Axial slice 216 of 433 of a contrast-enhanced abdominal CT (slice 1 is the lowest), 120 kVp, kernel B30f; 1.00 mm slice thickness and 0.672 mm pixels.
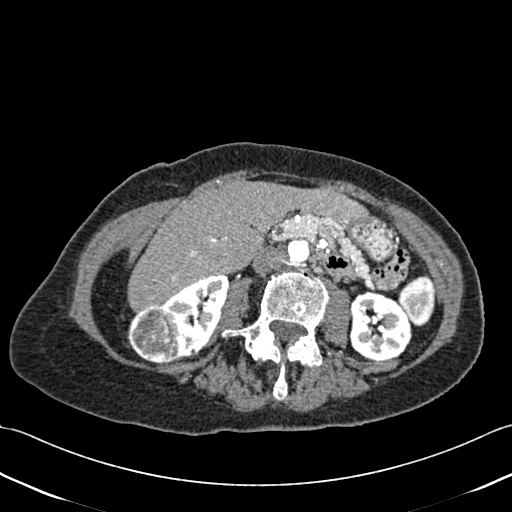
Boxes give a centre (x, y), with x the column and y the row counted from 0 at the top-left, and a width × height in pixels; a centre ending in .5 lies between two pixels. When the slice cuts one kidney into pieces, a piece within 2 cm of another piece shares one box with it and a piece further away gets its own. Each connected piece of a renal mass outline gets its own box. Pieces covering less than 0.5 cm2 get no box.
Boxed on this slice (two kidney boxes and one renal mass box), listed by box centre from the image's left to its right: (1) Right renal mass in a box with centre (155, 334.5), 57 × 60 pixels (outlined area 2,626 px, about 11.9 cm2). (2) Right kidney in a box with centre (195.5, 317), 68 × 87 pixels (outlined area 3,140 px, about 14.2 cm2). (3) Left kidney in a box with centre (380, 325.5), 63 × 70 pixels (outlined area 3,448 px, about 15.6 cm2).